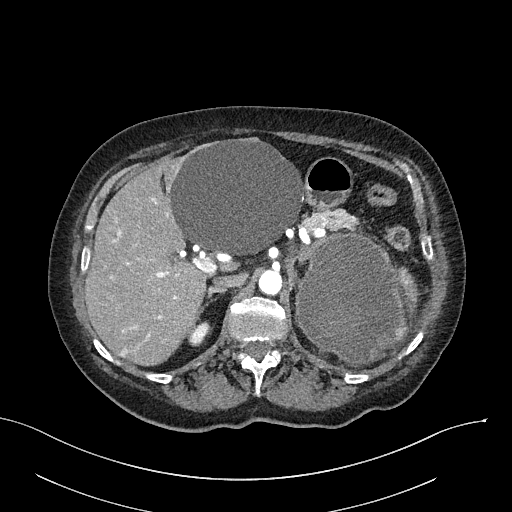
Arterial-phase contrast-enhanced abdominal CT, axial slice 184 of 316 (counted from the lowest slice); tube voltage 100 kVp, convolution kernel I40f; slices 2.00 mm thick, 0.840 mm per pixel.
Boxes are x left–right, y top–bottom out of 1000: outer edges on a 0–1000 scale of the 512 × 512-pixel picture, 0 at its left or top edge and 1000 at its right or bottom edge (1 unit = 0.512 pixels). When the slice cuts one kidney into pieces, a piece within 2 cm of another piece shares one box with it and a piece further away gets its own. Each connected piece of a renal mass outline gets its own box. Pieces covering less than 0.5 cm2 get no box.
Two boxes on this slice (one kidney box and one renal mass box), listed by box centre from the image's left to its right. (1) Right kidney, box x 365–416, y 627–678 out of 1000 (outlined area 414 px, about 2.9 cm2). (2) Box x 576–803, y 453–717 out of 1000: left renal mass (outlined area 11,616 px, about 81.9 cm2); here it is more than 1 cm from any kidney outline, though on another slice the same outlined renal mass lies within 1 cm of the kidney.